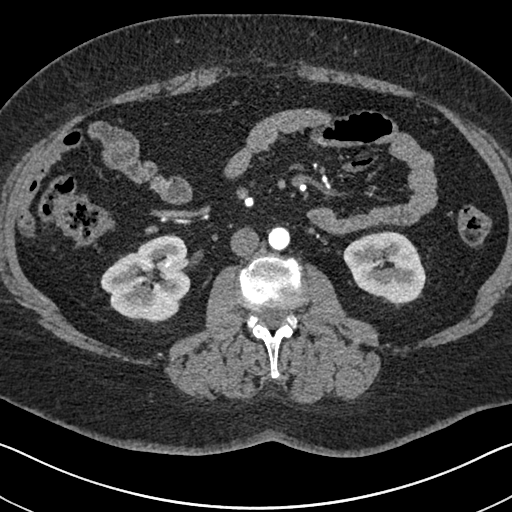
Arterial-phase contrast-enhanced abdominal CT, axial slice 341 of 591 (counted from the lowest slice); tube voltage 140 kVp, convolution kernel I30f; slices 1.00 mm thick, 0.703 mm per pixel.
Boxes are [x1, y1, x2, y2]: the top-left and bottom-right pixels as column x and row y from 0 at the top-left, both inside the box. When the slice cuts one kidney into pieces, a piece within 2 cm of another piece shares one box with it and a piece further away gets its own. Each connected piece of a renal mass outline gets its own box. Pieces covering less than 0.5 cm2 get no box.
Two kidney boxes on this slice; by box centre, from the image's left to its right: (1) Box [100, 234, 193, 323]: right kidney (outlined area 5,742 px, about 28.4 cm2). (2) Box [343, 231, 426, 303]: left kidney (outlined area 4,445 px, about 22.0 cm2). No renal mass outline on this slice.